Arterial-phase contrast-enhanced abdominal CT, axial slice 304 of 512 (counted from the lowest slice); tube voltage 120 kVp, convolution kernel B30f; slices 1.00 mm thick, 0.771 mm per pixel.
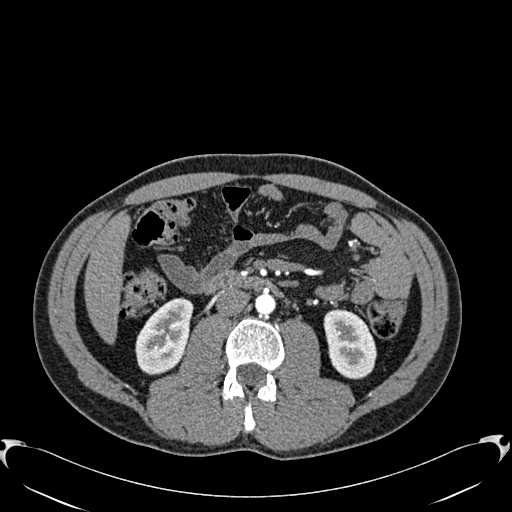
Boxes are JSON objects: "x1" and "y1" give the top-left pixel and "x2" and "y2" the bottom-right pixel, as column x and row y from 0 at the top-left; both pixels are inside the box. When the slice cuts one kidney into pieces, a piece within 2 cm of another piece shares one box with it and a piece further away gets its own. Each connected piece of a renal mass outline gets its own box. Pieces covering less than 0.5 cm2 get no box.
Two boxes on this slice (two kidney boxes), listed by box centre from the image's left to its right. (1) Right kidney at {"x1": 135, "y1": 298, "x2": 193, "y2": 375} (outlined area 3,159 px, about 18.8 cm2). (2) Left kidney at {"x1": 323, "y1": 308, "x2": 376, "y2": 379} (outlined area 2,854 px, about 17.0 cm2). No renal mass is outlined on this slice.